Abdominal CT with intravenous contrast, arterial phase, axial plane, 120 kVp, kernel STANDARD. Slice 145/349 from the bottom of the scan; thickness 1.25 mm; pixel size 0.742 mm.
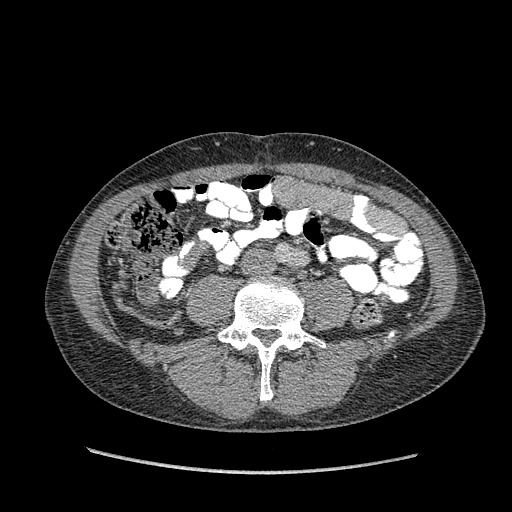
This slice carries no outline: it lies beyond the outlined kidneys and beyond every outlined renal mass. Other organs are not outlined in this scan.